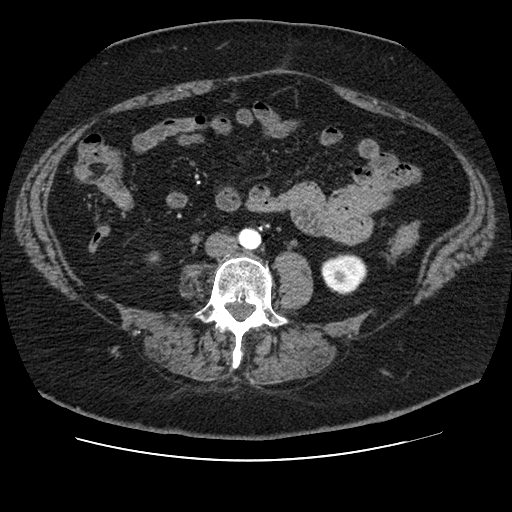
Abdominal CT with intravenous contrast, arterial phase, axial plane, 120 kVp, kernel STANDARD. Slice 22/106 from the bottom of the scan; thickness 2.50 mm; pixel size 0.742 mm.
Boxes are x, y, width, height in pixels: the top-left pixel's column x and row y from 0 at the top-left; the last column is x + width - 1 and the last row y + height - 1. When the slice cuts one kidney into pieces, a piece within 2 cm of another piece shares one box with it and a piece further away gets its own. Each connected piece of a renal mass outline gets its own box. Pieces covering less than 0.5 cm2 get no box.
Left kidney at x 321, y 253, width 47, height 42 (outlined area 1,460 px, about 8.0 cm2). No renal mass is outlined on this slice.